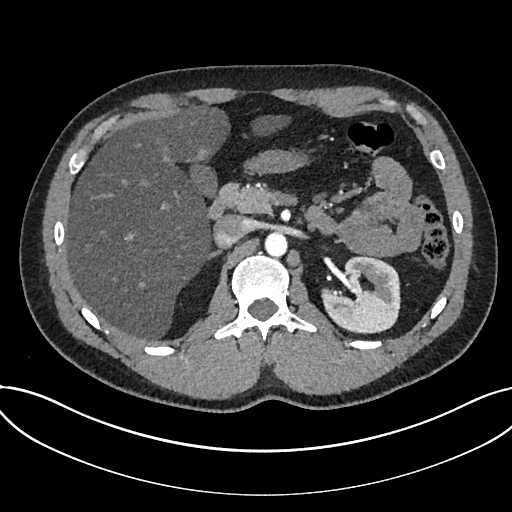
One axial slice (483 of 735, counting up from the lowest) of an arterial-phase abdominal CT acquired with 120 kVp, kernel I30f; each pixel is 0.789 mm and the slice is 1.00 mm thick.
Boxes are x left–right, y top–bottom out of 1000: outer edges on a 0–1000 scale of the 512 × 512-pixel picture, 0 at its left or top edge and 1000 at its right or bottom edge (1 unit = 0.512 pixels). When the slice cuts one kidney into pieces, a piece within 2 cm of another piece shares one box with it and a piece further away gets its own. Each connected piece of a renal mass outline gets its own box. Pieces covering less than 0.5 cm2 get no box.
Kidney at x 625–783, y 496–654 out of 1000 (outlined area 4,664 px, about 29.0 cm2). No renal mass is outlined on this slice.